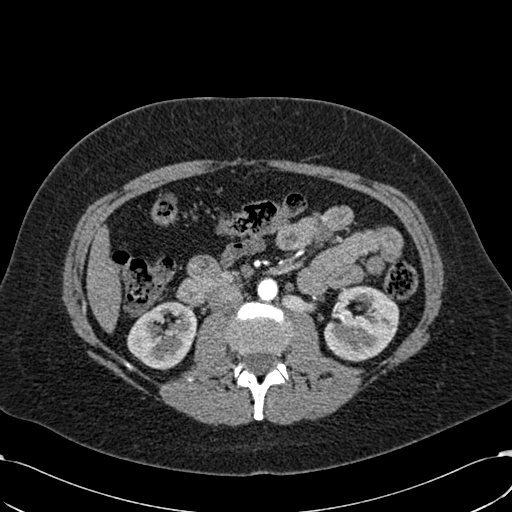
Arterial-phase contrast-enhanced abdominal CT, axial slice 325 of 532 (counted from the lowest slice); tube voltage 120 kVp, convolution kernel B30f; slices 1.00 mm thick, 0.713 mm per pixel.
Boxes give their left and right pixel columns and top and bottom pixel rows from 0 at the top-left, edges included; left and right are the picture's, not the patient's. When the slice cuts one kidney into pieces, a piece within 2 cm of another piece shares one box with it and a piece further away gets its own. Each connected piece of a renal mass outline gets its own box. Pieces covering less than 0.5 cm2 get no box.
Two kidney boxes on this slice; by box centre, from the image's left to its right: (1) Right kidney in the box with left 127, top 301, right 197, bottom 370 (outlined area 3,503 px, about 17.8 cm2). (2) Left kidney, the box with left 324, top 285, right 399, bottom 361 (outlined area 4,281 px, about 21.8 cm2). No renal mass is outlined on this slice.